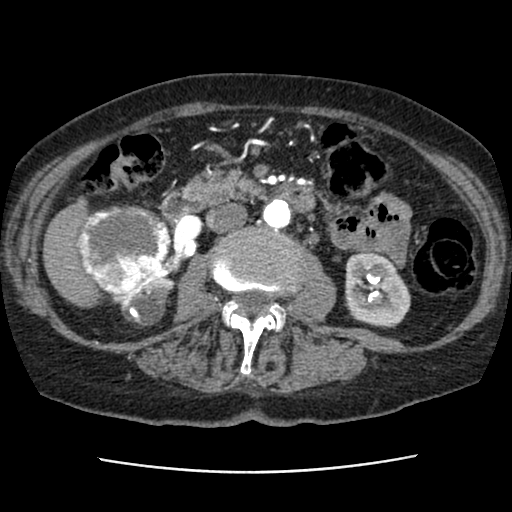
Axial slice 40 of 76 of a contrast-enhanced abdominal CT (slice 1 is the lowest), 120 kVp, kernel STANDARD; 2.50 mm slice thickness and 0.586 mm pixels.
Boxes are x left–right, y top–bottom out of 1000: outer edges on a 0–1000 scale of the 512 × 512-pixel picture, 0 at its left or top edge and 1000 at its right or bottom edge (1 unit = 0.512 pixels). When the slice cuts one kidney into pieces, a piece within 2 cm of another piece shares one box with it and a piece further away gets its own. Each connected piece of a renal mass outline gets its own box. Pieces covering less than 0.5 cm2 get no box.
Three boxes on this slice (two kidney boxes and one renal mass box), listed by box centre from the image's left to its right. (1) Box x 146–334, y 400–578 out of 1000: right renal mass (outlined area 6,398 px, about 22.0 cm2). (2) Box x 213–342, y 518–641 out of 1000: right kidney (outlined area 2,003 px, about 6.9 cm2). (3) Left kidney at x 674–801, y 492–643 out of 1000 (outlined area 3,933 px, about 13.5 cm2).